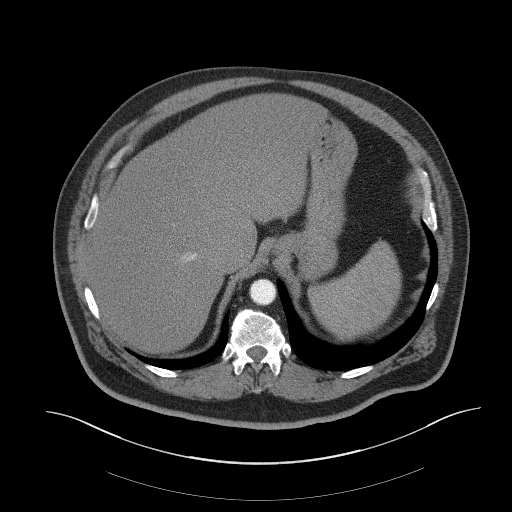
Contrast-enhanced abdominal CT, axial slice 55 of 61 (counted from the lowest slice); tube voltage 140 kVp, convolution kernel B41f; slices 3.00 mm thick, 0.939 mm per pixel.
Outside the outlined region: no kidney outline and no renal mass outline on this slice. The scan's outlines cover only kidneys and renal masses; no other organ is outlined.